Abdominal CT with intravenous contrast, axial plane, 120 kVp, kernel I30f. Slice 113/197 from the bottom of the scan; thickness 5.00 mm; pixel size 0.791 mm.
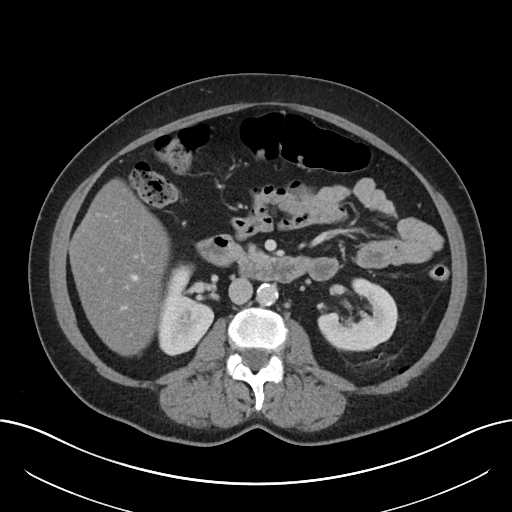
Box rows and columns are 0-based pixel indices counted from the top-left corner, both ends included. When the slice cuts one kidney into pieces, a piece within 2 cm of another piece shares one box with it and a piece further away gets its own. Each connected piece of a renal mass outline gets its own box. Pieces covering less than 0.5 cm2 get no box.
Two kidney boxes on this slice; by box centre, from the image's left to its right: (1) Box rows 263–356, columns 157–214: right kidney (outlined area 3,695 px, about 23.1 cm2). (2) Left kidney at rows 277–351, columns 317–398 (outlined area 3,858 px, about 24.1 cm2). No renal mass outline on this slice.